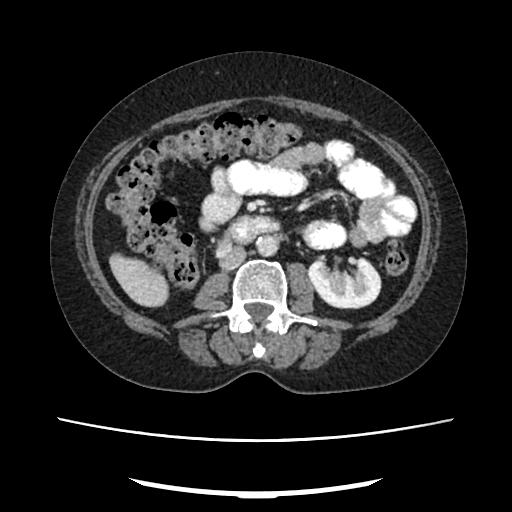
Axial slice 123 of 207 of a contrast-enhanced abdominal CT in the arterial phase (slice 1 is the lowest), 120 kVp, kernel FC18; 2.00 mm slice thickness and 0.741 mm pixels.
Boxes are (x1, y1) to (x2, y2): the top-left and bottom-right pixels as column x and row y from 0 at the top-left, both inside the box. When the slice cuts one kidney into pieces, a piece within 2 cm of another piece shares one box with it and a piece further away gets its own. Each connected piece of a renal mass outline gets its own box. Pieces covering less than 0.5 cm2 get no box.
Box (307, 255) to (381, 308): left kidney (outlined area 3,041 px, about 16.7 cm2). No renal mass outline on this slice.